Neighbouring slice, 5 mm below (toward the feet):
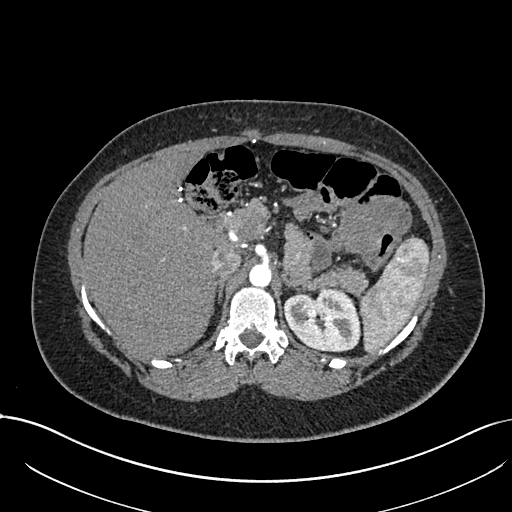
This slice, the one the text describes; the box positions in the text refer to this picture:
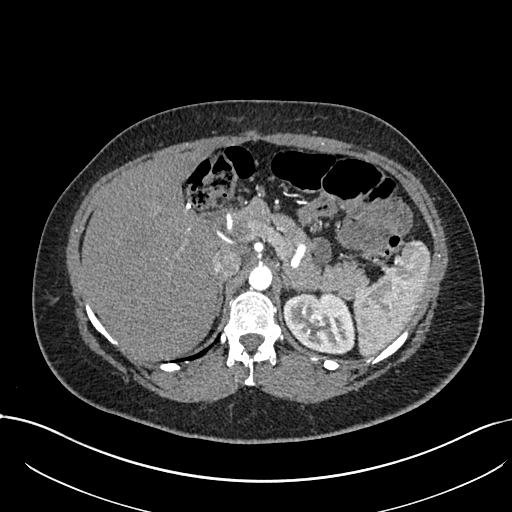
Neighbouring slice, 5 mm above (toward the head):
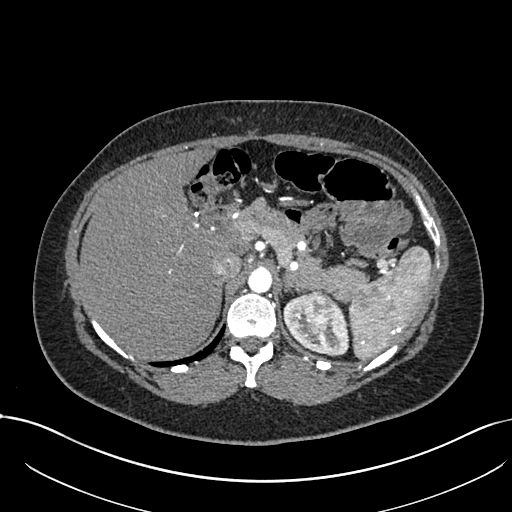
Arterial-phase contrast-enhanced abdominal CT, axial slice 526 of 738 (counted from the lowest slice); tube voltage 120 kVp, convolution kernel I30f; slices 1.00 mm thick, 0.789 mm per pixel.
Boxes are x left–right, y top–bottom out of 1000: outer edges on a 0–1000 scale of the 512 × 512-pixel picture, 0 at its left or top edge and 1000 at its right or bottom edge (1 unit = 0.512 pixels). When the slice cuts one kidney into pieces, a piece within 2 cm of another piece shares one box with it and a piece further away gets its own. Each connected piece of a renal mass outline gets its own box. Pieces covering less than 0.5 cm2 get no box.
Two boxes on this slice (one kidney box and one renal mass box), listed by box centre from the image's left to its right. (1) Box x 602–639, y 586–629 out of 1000: left renal mass (outlined area 316 px, about 2.0 cm2). (2) Left kidney, box x 551–693, y 570–693 out of 1000 (outlined area 3,263 px, about 20.3 cm2). This slice lies near the end of the left renal mass toward the feet; the slices 5 mm below and 5 mm above it are shown too, and the boxes mark positions on this slice only.